One axial slice (75 of 301, counting up from the lowest) of a contrast-enhanced abdominal CT acquired with 120 kVp, kernel I40f; each pixel is 0.859 mm and the slice is 2.00 mm thick.
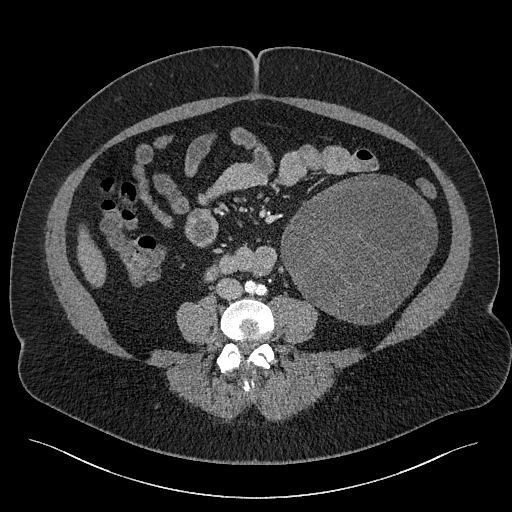
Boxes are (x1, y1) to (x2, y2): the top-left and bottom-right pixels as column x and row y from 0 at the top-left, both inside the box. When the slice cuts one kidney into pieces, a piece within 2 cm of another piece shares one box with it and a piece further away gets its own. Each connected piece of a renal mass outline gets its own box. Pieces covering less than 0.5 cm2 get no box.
Left renal mass, box (281, 173) to (437, 324) (outlined area 17,312 px, about 127.9 cm2); no kidney is outlined on this slice, but the same outlined renal mass comes within 1 cm of the kidney on another slice.